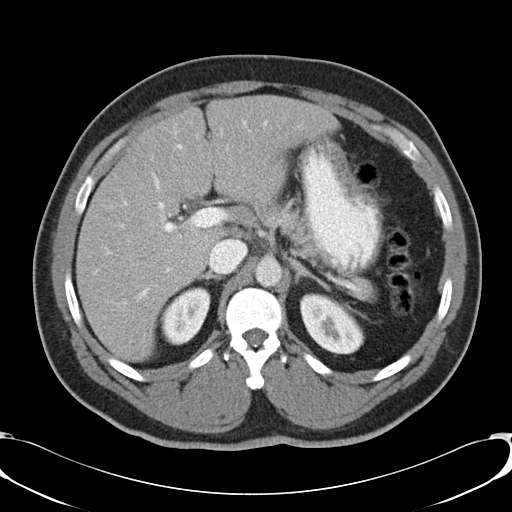
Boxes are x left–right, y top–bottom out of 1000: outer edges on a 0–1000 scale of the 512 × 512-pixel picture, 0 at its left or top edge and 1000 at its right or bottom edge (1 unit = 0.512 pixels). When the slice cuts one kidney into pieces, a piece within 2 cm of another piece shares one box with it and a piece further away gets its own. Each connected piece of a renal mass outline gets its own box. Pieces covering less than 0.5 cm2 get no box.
Contrast-enhanced abdominal CT, axial slice 29 of 48 (counted from the lowest slice); 5.00 mm thick, 0.736 mm per pixel. Two boxes on this slice (two kidney boxes), listed by box centre from the image's left to its right. (1) Box x 313–412, y 561–676 out of 1000: right kidney (outlined area 2,122 px, about 11.5 cm2). (2) Box x 584–713, y 572–693 out of 1000: left kidney (outlined area 2,804 px, about 15.2 cm2). No renal mass is outlined on this slice.
Tube voltage 120 kVp; convolution kernel B30f.